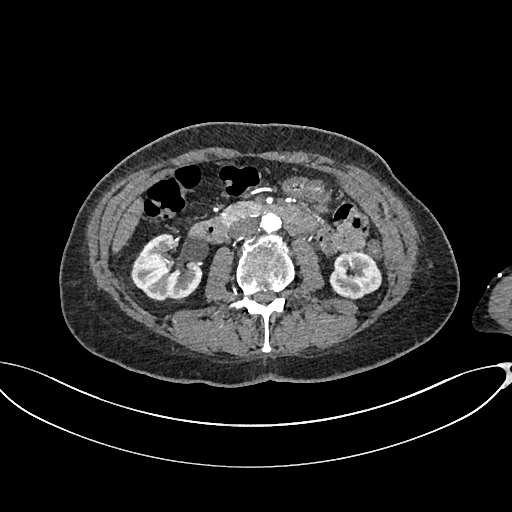
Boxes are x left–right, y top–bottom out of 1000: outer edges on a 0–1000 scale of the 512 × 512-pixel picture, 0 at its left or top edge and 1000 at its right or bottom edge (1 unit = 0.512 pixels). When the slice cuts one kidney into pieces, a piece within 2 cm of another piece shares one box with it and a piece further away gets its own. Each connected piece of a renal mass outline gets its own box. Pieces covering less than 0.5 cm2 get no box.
Arterial-phase contrast-enhanced abdominal CT, axial slice 357 of 665 (counted from the lowest slice); 1.00 mm thick, 0.828 mm per pixel. Two boxes on this slice (two kidney boxes), listed by box centre from the image's left to its right. (1) Right kidney at x 254–396, y 455–590 out of 1000 (outlined area 3,424 px, about 23.5 cm2). (2) Box x 643–746, y 490–586 out of 1000: left kidney (outlined area 1,959 px, about 13.4 cm2). No renal mass is outlined on this slice.
Scan settings: 100 kVp, I26f reconstruction kernel.